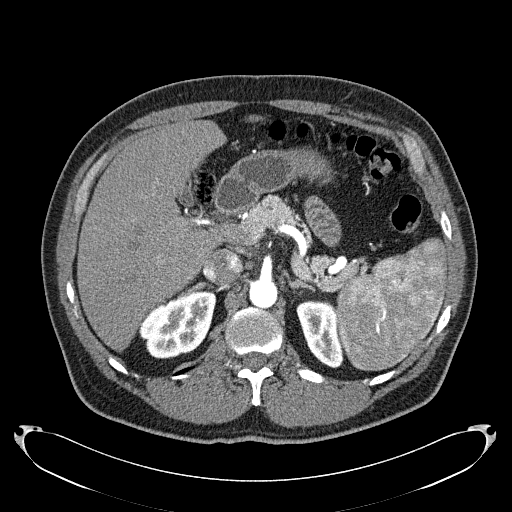
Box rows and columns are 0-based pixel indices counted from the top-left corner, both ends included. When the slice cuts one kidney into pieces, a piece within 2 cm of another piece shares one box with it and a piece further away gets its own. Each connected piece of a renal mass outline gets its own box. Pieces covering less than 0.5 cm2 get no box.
Arterial-phase contrast-enhanced abdominal CT, axial slice 157 of 279 (counted from the lowest slice); 2.00 mm thick, 0.824 mm per pixel. Boxed on this slice (two kidney boxes), listed by box centre from the image's left to its right: (1) Right kidney at rows 291–358, columns 138–216 (outlined area 3,702 px, about 25.1 cm2). (2) Left kidney, box rows 300–368, columns 296–343 (outlined area 2,229 px, about 15.1 cm2). This slice carries no renal mass outline.
Scan settings: 120 kVp, B31f reconstruction kernel.